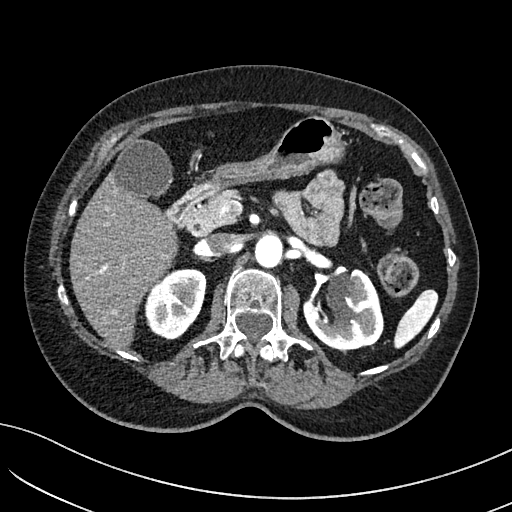
Abdominal CT with intravenous contrast, arterial phase, axial plane, 100 kVp, kernel I40f. Slice 86/234 from the bottom of the scan; thickness 2.00 mm; pixel size 0.699 mm.
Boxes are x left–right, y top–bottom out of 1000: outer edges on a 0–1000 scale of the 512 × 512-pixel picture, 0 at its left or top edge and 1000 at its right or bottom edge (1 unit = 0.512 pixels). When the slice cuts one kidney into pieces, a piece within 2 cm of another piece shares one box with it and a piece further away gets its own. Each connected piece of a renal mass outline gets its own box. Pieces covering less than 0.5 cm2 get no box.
Two boxes on this slice (two kidney boxes), listed by box centre from the image's left to its right. (1) Right kidney, box x 281–404, y 523–664 out of 1000 (outlined area 3,313 px, about 16.2 cm2). (2) Box x 592–750, y 525–684 out of 1000: left kidney (outlined area 4,546 px, about 22.2 cm2). No renal mass is outlined on this slice.